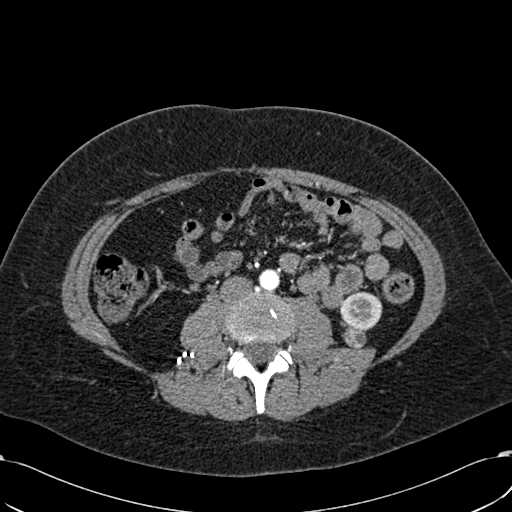
Axial slice 262 of 532 of a contrast-enhanced abdominal CT in the arterial phase (slice 1 is the lowest), 120 kVp, kernel B30f; 1.00 mm slice thickness and 0.713 mm pixels.
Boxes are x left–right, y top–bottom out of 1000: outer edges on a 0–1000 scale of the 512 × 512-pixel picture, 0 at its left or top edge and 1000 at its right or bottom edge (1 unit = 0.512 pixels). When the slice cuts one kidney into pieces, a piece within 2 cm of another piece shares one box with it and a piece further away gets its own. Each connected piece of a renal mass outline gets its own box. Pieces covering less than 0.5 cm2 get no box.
One kidney box and one renal mass box on this slice; by box centre, from the image's left to its right: (1) Left renal mass at x 668–717, y 635–682 out of 1000 (outlined area 403 px, about 2.0 cm2). (2) Left kidney, box x 662–748, y 568–646 out of 1000 (outlined area 1,320 px, about 6.7 cm2).